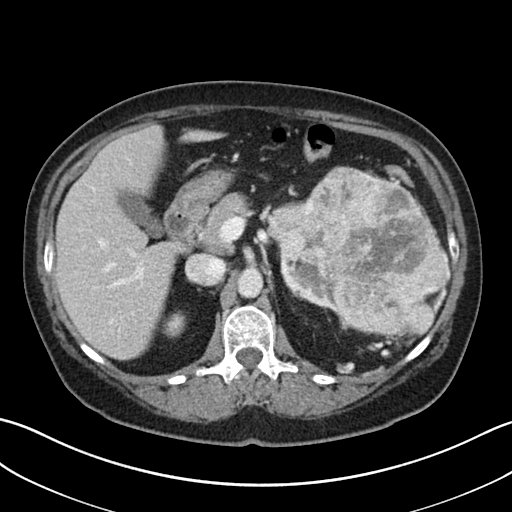
One axial slice (26 of 38, counting up from the lowest) of a contrast-enhanced abdominal CT acquired with 100 kVp, kernel I30f; each pixel is 0.730 mm and the slice is 5.00 mm thick.
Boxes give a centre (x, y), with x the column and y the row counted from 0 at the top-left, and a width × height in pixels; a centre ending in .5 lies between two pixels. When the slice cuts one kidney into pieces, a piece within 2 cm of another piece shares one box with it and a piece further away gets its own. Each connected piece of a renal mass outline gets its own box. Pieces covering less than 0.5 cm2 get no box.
Boxed on this slice (two kidney boxes and one renal mass box), listed by box centre from the image's left to its right: (1) Right kidney in a box with centre (173.5, 324), 24 × 27 pixels (outlined area 488 px, about 2.6 cm2). (2) Left kidney, box centre (308, 288), 57 × 53 pixels (outlined area 1,641 px, about 8.8 cm2). (3) Left renal mass in a box with centre (358.5, 252.5), 186 × 174 pixels (outlined area 20,408 px, about 108.9 cm2).